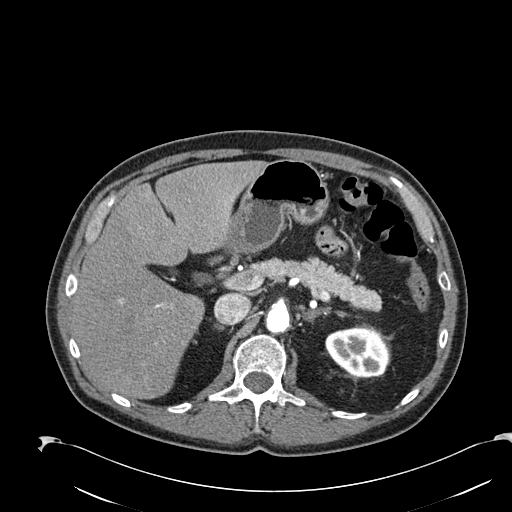
Arterial-phase contrast-enhanced abdominal CT, axial slice 157 of 274 (counted from the lowest slice); tube voltage 120 kVp, convolution kernel B30f; slices 2.00 mm thick, 0.809 mm per pixel.
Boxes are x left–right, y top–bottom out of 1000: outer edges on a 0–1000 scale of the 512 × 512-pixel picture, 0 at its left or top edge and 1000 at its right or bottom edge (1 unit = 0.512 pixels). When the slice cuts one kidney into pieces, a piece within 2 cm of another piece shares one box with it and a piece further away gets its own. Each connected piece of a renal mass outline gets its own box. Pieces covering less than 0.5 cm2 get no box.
Left kidney, box x 635–760, y 639–736 out of 1000 (outlined area 2,527 px, about 16.5 cm2). No renal mass is outlined on this slice.